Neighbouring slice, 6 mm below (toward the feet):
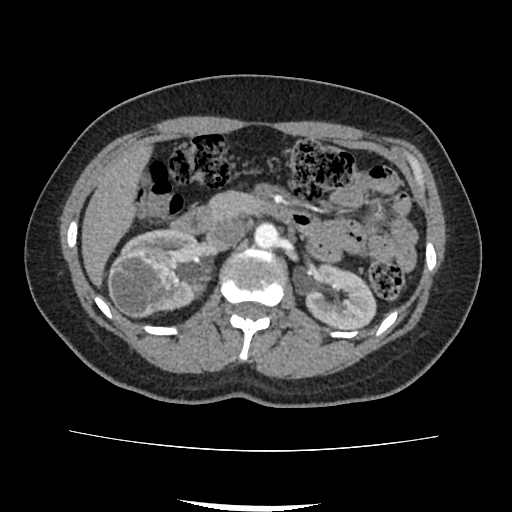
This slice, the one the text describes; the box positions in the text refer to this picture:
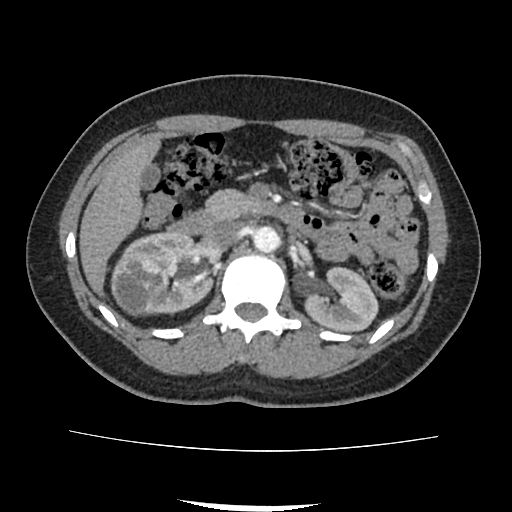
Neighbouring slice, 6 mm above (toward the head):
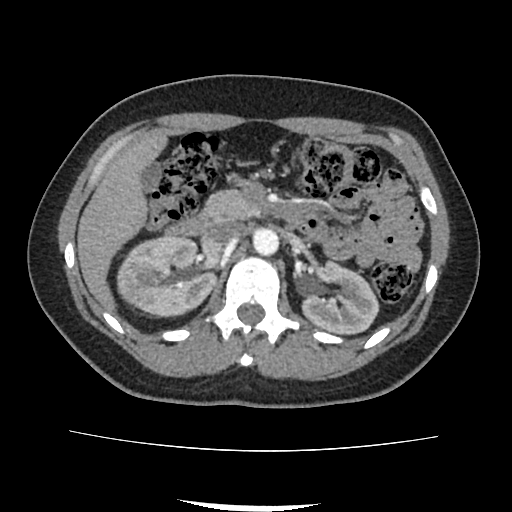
Axial slice 54 of 103 of a contrast-enhanced abdominal CT (slice 1 is the lowest), 120 kVp, kernel FC18; 3.00 mm slice thickness and 0.714 mm pixels.
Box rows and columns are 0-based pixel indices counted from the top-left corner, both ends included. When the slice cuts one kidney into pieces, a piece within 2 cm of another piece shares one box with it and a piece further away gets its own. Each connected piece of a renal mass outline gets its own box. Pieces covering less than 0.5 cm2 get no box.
Two kidney boxes and one renal mass box on this slice; by box centre, from the image's left to its right: (1) Right renal mass, box rows 270–308, columns 114–157 (outlined area 1,350 px, about 6.9 cm2). (2) Right kidney, box rows 232–316, columns 111–214 (outlined area 5,392 px, about 27.5 cm2). (3) Left kidney, box rows 266–332, columns 304–378 (outlined area 3,662 px, about 18.7 cm2). This slice lies near the end of the right renal mass toward the head; the slices 6 mm below and 6 mm above it are shown too, and the boxes mark positions on this slice only.